Axial slice 88 of 146 of a contrast-enhanced abdominal CT (slice 1 is the lowest), 120 kVp, kernel B41f; 5.00 mm slice thickness and 0.840 mm pixels.
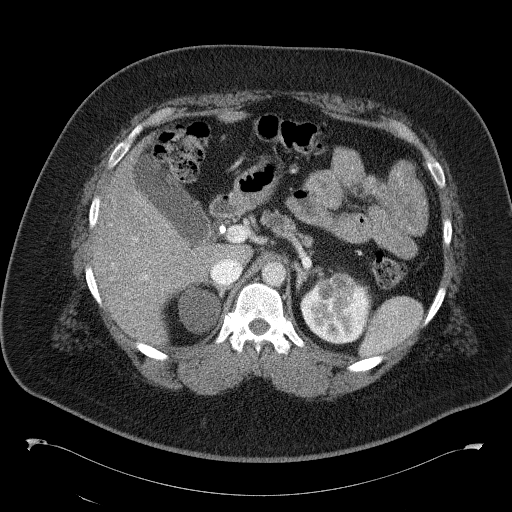
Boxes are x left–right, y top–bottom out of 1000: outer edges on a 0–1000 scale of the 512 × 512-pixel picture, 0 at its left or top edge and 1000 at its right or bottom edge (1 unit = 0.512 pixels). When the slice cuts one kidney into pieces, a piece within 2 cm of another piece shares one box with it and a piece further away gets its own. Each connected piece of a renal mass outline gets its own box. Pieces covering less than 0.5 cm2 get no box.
Two kidney boxes on this slice; by box centre, from the image's left to its right: (1) Box x 348–434, y 557–652 out of 1000: kidney (outlined area 1,607 px, about 11.3 cm2). (2) Kidney, box x 586–727, y 533–674 out of 1000 (outlined area 3,803 px, about 26.8 cm2). No renal mass is outlined on this slice.